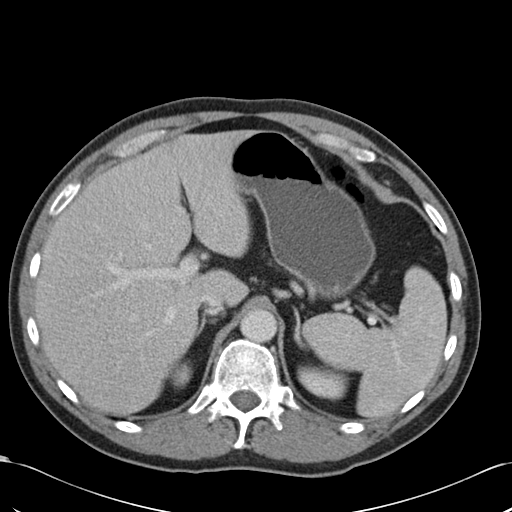
Arterial-phase contrast-enhanced abdominal CT, axial slice 78 of 99 (counted from the lowest slice); tube voltage 120 kVp, convolution kernel B30f; slices 5.00 mm thick, 0.693 mm per pixel.
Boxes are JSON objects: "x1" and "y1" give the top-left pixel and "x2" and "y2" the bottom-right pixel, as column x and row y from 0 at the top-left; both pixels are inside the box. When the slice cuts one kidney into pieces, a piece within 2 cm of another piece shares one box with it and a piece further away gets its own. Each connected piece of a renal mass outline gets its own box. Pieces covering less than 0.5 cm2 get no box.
Two boxes on this slice (two kidney boxes), listed by box centre from the image's left to its right. (1) Box {"x1": 170, "y1": 361, "x2": 192, "y2": 387}: right kidney (outlined area 422 px, about 2.0 cm2). (2) Left kidney at {"x1": 297, "y1": 366, "x2": 348, "y2": 400} (outlined area 1,328 px, about 6.4 cm2). No renal mass is outlined on this slice.